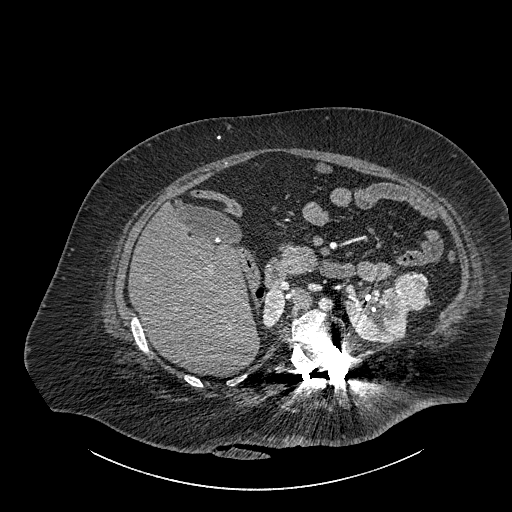
One axial slice (557 of 834, counting up from the lowest) of a contrast-enhanced abdominal CT acquired with 140 kVp, kernel I30f; each pixel is 0.977 mm and the slice is 1.00 mm thick.
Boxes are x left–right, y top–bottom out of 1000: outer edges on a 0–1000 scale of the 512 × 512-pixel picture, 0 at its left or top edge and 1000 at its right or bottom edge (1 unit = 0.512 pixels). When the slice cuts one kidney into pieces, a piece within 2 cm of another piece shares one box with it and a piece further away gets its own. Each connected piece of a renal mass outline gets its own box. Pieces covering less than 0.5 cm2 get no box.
Three boxes on this slice (two kidney boxes and one renal mass box), listed by box centre from the image's left to its right. (1) Box x 512–557, y 561–639 out of 1000: right part of the midline-crossing kidney (outlined area 664 px, about 6.3 cm2). (2) Left part of the midline-crossing kidney, box x 672–809, y 559–672 out of 1000 (outlined area 2,567 px, about 24.5 cm2). (3) Renal mass at x 770–838, y 529–605 out of 1000 (outlined area 1,094 px, about 10.4 cm2).